One axial slice (15 of 80, counting up from the lowest) of a contrast-enhanced abdominal CT acquired with 120 kVp, kernel B30f; each pixel is 0.822 mm and the slice is 3.00 mm thick.
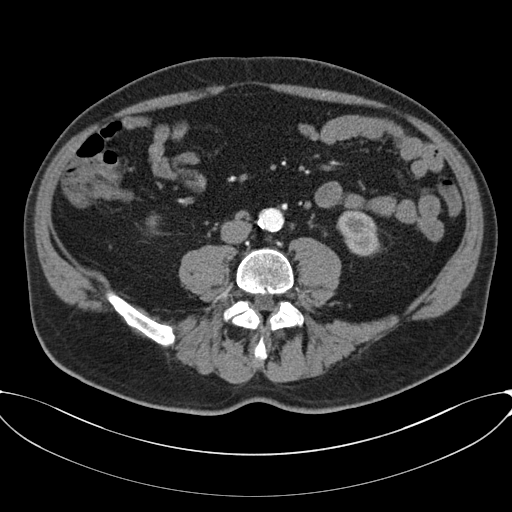
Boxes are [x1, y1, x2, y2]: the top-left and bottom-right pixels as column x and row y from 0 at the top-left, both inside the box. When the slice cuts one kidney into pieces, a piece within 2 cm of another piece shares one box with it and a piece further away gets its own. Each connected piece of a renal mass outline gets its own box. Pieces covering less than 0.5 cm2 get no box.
Two kidney boxes on this slice; by box centre, from the image's left to its right: (1) Right kidney, box [146, 215, 159, 234] (outlined area 153 px, about 1.0 cm2). (2) Box [337, 209, 378, 256]: left kidney (outlined area 1,446 px, about 9.8 cm2). No renal mass is outlined on this slice.